One axial slice (439 of 738, counting up from the lowest) of an arterial-phase abdominal CT acquired with 120 kVp, kernel I30f; each pixel is 0.789 mm and the slice is 1.00 mm thick.
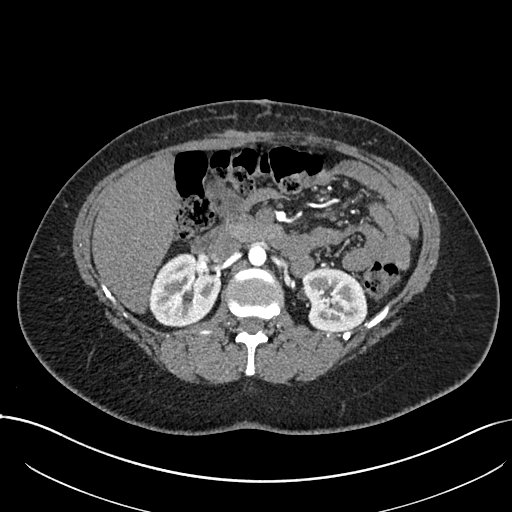
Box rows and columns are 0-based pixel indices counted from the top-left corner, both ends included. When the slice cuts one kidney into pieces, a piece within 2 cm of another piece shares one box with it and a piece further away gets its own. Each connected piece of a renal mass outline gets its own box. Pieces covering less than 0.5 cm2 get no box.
Boxed on this slice (two kidney boxes), listed by box centre from the image's left to its right: (1) Right kidney, box rows 252–326, columns 149–220 (outlined area 3,949 px, about 24.6 cm2). (2) Left kidney at rows 267–331, columns 302–367 (outlined area 3,305 px, about 20.6 cm2). No renal mass is outlined on this slice.